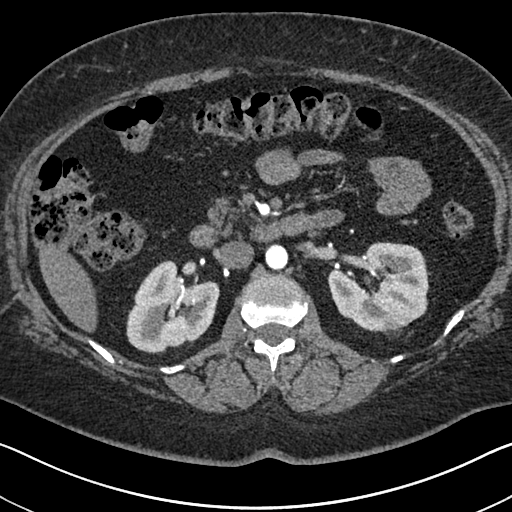
Arterial-phase contrast-enhanced abdominal CT, axial slice 414 of 591 (counted from the lowest slice); tube voltage 140 kVp, convolution kernel I30f; slices 1.00 mm thick, 0.703 mm per pixel.
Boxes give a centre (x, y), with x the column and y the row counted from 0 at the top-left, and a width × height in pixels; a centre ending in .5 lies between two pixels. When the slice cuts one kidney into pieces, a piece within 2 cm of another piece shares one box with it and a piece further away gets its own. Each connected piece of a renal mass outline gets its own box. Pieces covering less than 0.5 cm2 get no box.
Two boxes on this slice (two kidney boxes), listed by box centre from the image's left to its right. (1) Box centre (172.5, 306), 94 × 95 pixels: right kidney (outlined area 6,133 px, about 30.3 cm2). (2) Box centre (378, 287), 103 × 91 pixels: left kidney (outlined area 6,838 px, about 33.8 cm2).